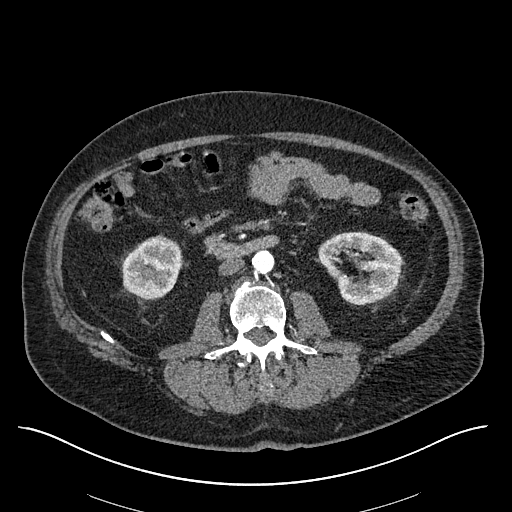
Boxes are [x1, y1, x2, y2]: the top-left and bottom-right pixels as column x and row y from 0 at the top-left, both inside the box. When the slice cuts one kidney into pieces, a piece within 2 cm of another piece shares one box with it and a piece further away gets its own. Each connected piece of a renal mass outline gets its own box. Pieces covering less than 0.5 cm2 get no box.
Arterial-phase contrast-enhanced abdominal CT, axial slice 278 of 670 (counted from the lowest slice); 1.00 mm thick, 0.861 mm per pixel. Boxed on this slice (two kidney boxes), listed by box centre from the image's left to its right: (1) Box [121, 235, 182, 300]: right kidney (outlined area 3,015 px, about 22.4 cm2). (2) Box [318, 231, 401, 304]: left kidney (outlined area 4,310 px, about 32.0 cm2). No renal mass is outlined on this slice.
Tube voltage 120 kVp; convolution kernel I30f.